Abdominal CT with intravenous contrast, arterial phase, axial plane, 120 kVp, kernel B31f. Slice 111/285 from the bottom of the scan; thickness 2.00 mm; pixel size 0.762 mm.
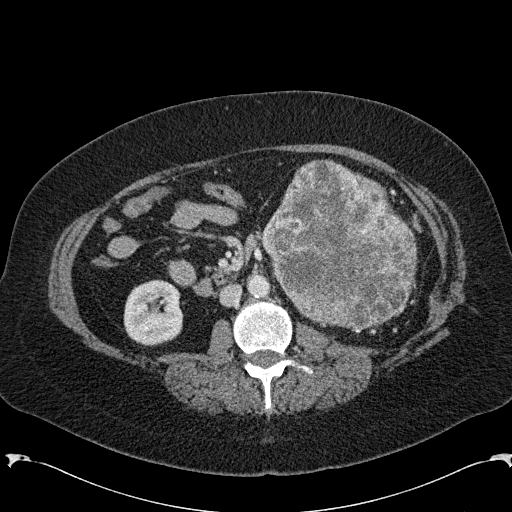
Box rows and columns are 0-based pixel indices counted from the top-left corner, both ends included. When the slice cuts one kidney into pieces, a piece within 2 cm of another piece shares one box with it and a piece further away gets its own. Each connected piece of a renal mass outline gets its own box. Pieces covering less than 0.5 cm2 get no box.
Boxed on this slice (one kidney box and one renal mass box), listed by box centre from the image's left to its right: (1) Right kidney, box rows 279–345, columns 123–183 (outlined area 3,230 px, about 18.7 cm2). (2) Box rows 159–330, columns 261–418: left renal mass (outlined area 19,366 px, about 112.4 cm2); on this slice it lies more than 1 cm from any kidney outline, but the same outlined renal mass comes within 1 cm of the kidney on another slice.